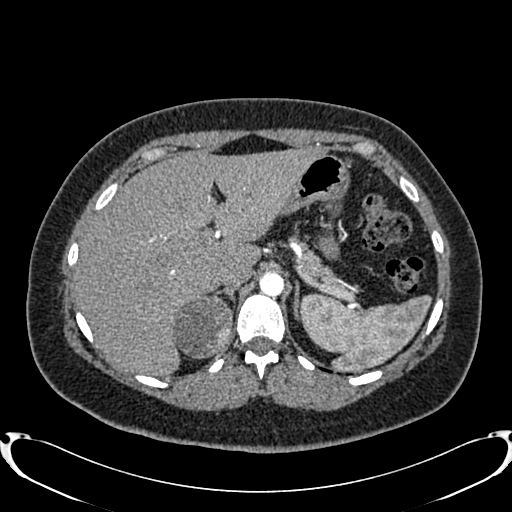
One axial slice (610 of 719, counting up from the lowest) of an arterial-phase abdominal CT acquired with 120 kVp, kernel B20f; each pixel is 0.766 mm and the slice is 1.00 mm thick.
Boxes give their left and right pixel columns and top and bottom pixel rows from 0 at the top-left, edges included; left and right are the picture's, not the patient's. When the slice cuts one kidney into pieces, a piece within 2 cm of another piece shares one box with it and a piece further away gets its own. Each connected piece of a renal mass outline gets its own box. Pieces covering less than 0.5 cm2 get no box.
Box with left 172, top 294, right 232, bottom 358: right renal mass (outlined area 3,062 px, about 17.9 cm2); this slice has no kidney outline, though on another slice the same outlined renal mass lies within 1 cm of the kidney.